Abdominal CT with intravenous contrast, axial plane, 140 kVp, kernel I30f. Slice 345/787 from the bottom of the scan; thickness 1.00 mm; pixel size 0.910 mm.
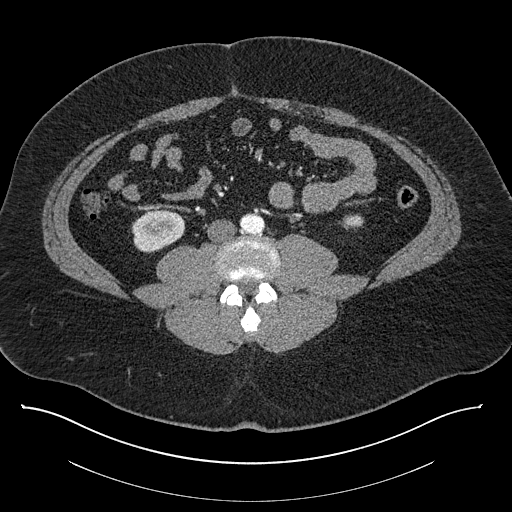
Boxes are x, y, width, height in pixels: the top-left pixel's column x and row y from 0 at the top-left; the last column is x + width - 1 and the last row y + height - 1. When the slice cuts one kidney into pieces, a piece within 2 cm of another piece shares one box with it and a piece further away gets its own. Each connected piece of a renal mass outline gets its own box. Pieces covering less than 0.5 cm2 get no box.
Two boxes on this slice (two kidney boxes), listed by box centre from the image's left to its right. (1) Right kidney, box x 131, y 209, width 55, height 44 (outlined area 1,801 px, about 14.9 cm2). (2) Box x 339, y 214, width 26, height 17: left kidney (outlined area 289 px, about 2.4 cm2). This slice carries no renal mass outline.